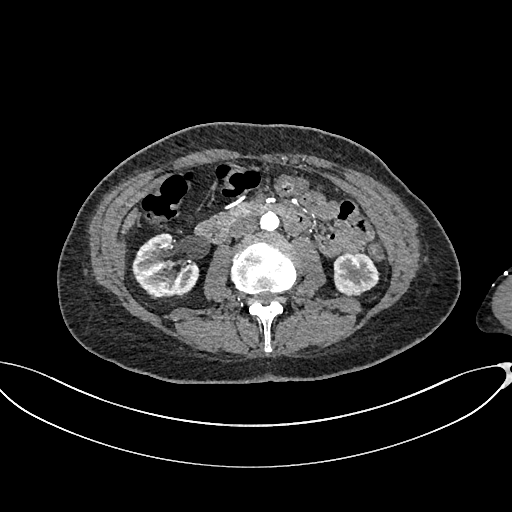
Abdominal CT with intravenous contrast, arterial phase, axial plane, 100 kVp, kernel I26f. Slice 344/665 from the bottom of the scan; thickness 1.00 mm; pixel size 0.828 mm.
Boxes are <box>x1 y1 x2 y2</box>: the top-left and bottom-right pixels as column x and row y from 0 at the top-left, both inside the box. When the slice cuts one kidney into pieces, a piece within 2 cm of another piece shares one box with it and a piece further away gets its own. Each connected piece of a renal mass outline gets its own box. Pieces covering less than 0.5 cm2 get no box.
Two boxes on this slice (two kidney boxes), listed by box centre from the image's left to its right. (1) Right kidney at <box>132 233 199 298</box> (outlined area 3,120 px, about 21.4 cm2). (2) At <box>333 254 378 295</box>: left kidney (outlined area 1,577 px, about 10.8 cm2). No renal mass is outlined on this slice.